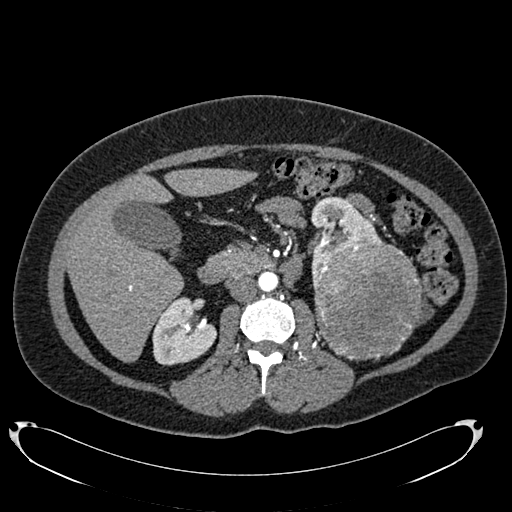
One axial slice (421 of 634, counting up from the lowest) of an arterial-phase abdominal CT acquired with 120 kVp, kernel B20f; each pixel is 0.838 mm and the slice is 1.00 mm thick.
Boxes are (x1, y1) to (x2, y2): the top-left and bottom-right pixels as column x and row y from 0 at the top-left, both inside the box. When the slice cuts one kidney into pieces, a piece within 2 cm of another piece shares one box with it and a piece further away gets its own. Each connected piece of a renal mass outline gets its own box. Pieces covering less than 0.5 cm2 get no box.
Boxed on this slice (two kidney boxes and one renal mass box), listed by box centre from the image's left to its right: (1) Right kidney, box (152, 297) to (216, 365) (outlined area 3,178 px, about 22.3 cm2). (2) Left kidney, box (310, 195) to (383, 282) (outlined area 3,148 px, about 22.1 cm2). (3) Left renal mass from (312, 242) to (422, 360) (outlined area 10,335 px, about 72.6 cm2).